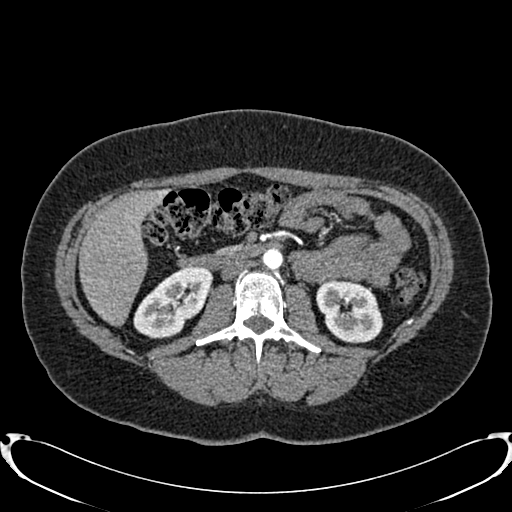
One axial slice (430 of 719, counting up from the lowest) of an arterial-phase abdominal CT acquired with 120 kVp, kernel B20f; each pixel is 0.766 mm and the slice is 1.00 mm thick.
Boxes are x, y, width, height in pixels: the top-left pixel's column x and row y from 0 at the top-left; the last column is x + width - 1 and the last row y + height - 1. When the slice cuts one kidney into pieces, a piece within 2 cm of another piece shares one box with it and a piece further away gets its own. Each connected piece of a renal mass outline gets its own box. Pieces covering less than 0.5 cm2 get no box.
Two boxes on this slice (two kidney boxes), listed by box centre from the image's left to its right. (1) Right kidney at x 133, y 266, width 81, height 73 (outlined area 3,704 px, about 21.7 cm2). (2) Left kidney, box x 316, y 278, width 68, height 65 (outlined area 3,241 px, about 19.0 cm2). This slice carries no renal mass outline.